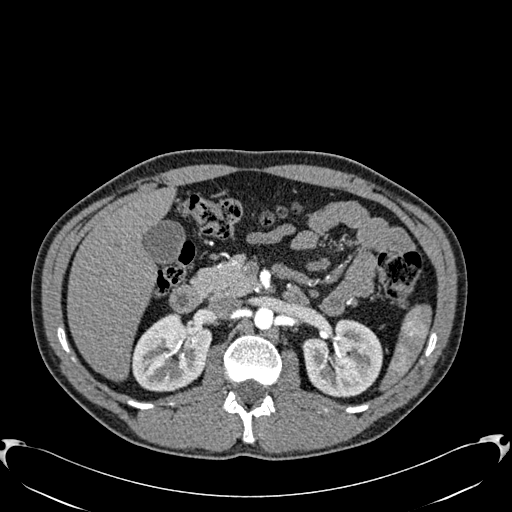
Abdominal CT with intravenous contrast, arterial phase, axial plane, 120 kVp, kernel B30f. Slice 379/512 from the bottom of the scan; thickness 1.00 mm; pixel size 0.771 mm.
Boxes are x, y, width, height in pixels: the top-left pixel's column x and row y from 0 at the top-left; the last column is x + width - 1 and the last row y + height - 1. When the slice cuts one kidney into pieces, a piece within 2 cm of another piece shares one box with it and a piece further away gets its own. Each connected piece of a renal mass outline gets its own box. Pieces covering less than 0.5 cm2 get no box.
Two boxes on this slice (two kidney boxes), listed by box centre from the image's left to its right. (1) Box x 131, y 313, width 81, height 79: right kidney (outlined area 4,666 px, about 27.8 cm2). (2) Left kidney at x 302, y 319, width 81, height 79 (outlined area 4,797 px, about 28.6 cm2). This slice carries no renal mass outline.